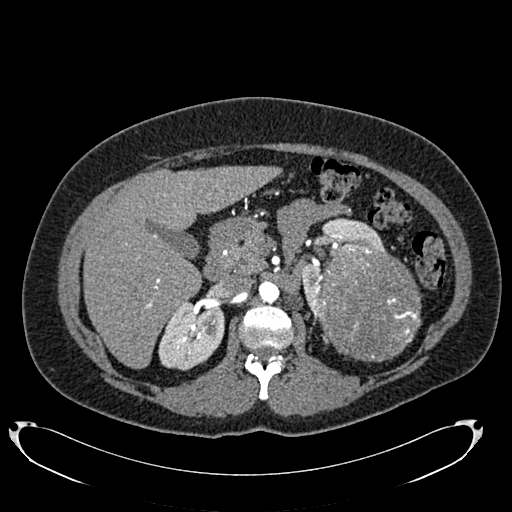
One axial slice (466 of 634, counting up from the lowest) of an arterial-phase abdominal CT acquired with 120 kVp, kernel B20f; each pixel is 0.838 mm and the slice is 1.00 mm thick.
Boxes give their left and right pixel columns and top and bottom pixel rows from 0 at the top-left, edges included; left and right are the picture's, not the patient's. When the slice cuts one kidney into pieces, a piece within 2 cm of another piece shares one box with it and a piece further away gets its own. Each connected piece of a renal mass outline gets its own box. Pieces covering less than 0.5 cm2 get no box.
Three boxes on this slice (two kidney boxes and one renal mass box), listed by box centre from the image's left to its right. (1) Box with left 158, top 300, right 224, bottom 370: right kidney (outlined area 3,557 px, about 25.0 cm2). (2) Box with left 298, top 217, right 383, bottom 313: left kidney (outlined area 2,505 px, about 17.6 cm2). (3) Left renal mass, the box with left 315, top 244, right 421, bottom 362 (outlined area 9,977 px, about 70.0 cm2).